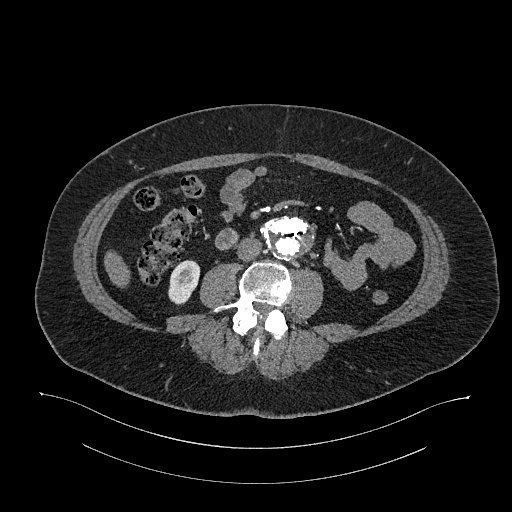
One axial slice (541 of 987, counting up from the lowest) of an arterial-phase abdominal CT acquired with 120 kVp, kernel I26f; each pixel is 0.977 mm and the slice is 1.00 mm thick.
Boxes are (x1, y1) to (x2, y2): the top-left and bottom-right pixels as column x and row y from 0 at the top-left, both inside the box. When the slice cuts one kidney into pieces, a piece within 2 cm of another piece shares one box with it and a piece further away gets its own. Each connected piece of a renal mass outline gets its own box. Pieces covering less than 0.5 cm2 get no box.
Box (168, 260) to (200, 304): right kidney (outlined area 1,070 px, about 10.2 cm2). No renal mass is outlined on this slice.